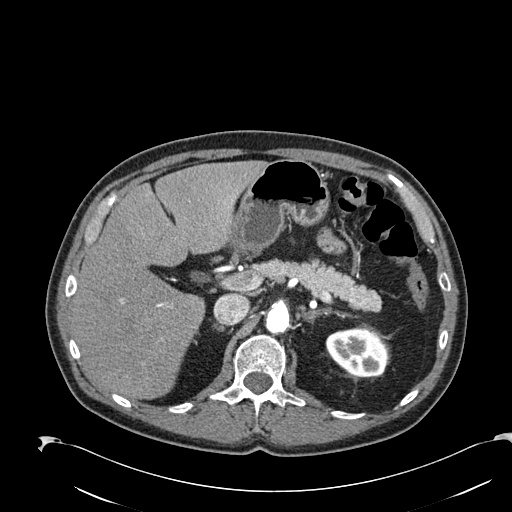
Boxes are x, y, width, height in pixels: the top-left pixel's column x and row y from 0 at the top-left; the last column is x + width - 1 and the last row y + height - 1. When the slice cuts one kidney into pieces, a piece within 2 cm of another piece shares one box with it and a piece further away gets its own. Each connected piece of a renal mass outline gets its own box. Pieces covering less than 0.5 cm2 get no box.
Arterial-phase contrast-enhanced abdominal CT, axial slice 158 of 274 (counted from the lowest slice); 2.00 mm thick, 0.809 mm per pixel. Box x 325, y 329, width 63, height 48: left kidney (outlined area 2,388 px, about 15.6 cm2). This slice carries no renal mass outline.
Scan settings: 120 kVp, B30f reconstruction kernel.